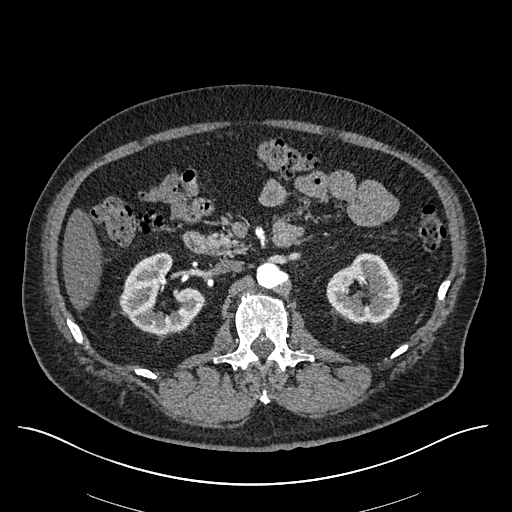
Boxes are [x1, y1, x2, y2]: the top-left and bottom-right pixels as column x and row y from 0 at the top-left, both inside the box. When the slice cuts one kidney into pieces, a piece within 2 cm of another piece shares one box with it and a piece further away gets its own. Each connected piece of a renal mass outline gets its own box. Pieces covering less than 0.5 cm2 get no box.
Slice 350/670 of a contrast-enhanced abdominal CT in the arterial phase, counting up from the lowest; pixel size 0.861 mm, slice thickness 1.00 mm. Two boxes on this slice (two kidney boxes), listed by box centre from the image's left to its right. (1) Box [119, 252, 204, 334]: right kidney (outlined area 4,280 px, about 31.8 cm2). (2) Left kidney, box [326, 253, 401, 323] (outlined area 3,755 px, about 27.9 cm2). No renal mass is outlined on this slice.
Acquired at 120 kVp and reconstructed with the I30f kernel.